One axial slice (409 of 634, counting up from the lowest) of an arterial-phase abdominal CT acquired with 120 kVp, kernel B20f; each pixel is 0.838 mm and the slice is 1.00 mm thick.
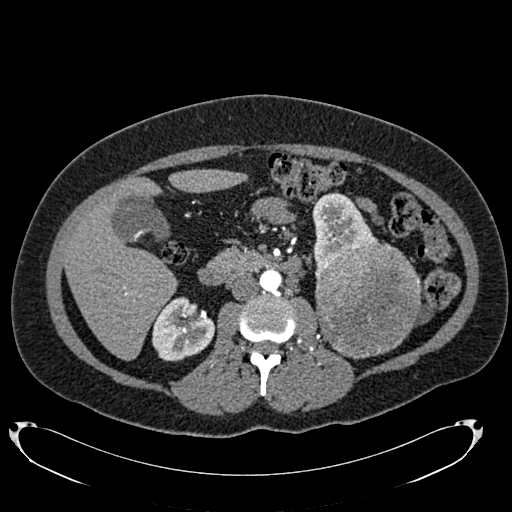
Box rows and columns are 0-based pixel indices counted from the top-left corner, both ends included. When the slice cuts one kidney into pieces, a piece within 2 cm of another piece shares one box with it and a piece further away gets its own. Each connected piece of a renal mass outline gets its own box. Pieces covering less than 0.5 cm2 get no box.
Three boxes on this slice (two kidney boxes and one renal mass box), listed by box centre from the image's left to its right. (1) Right kidney at rows 297–361, columns 152–215 (outlined area 2,997 px, about 21.0 cm2). (2) Left kidney at rows 191–269, columns 312–376 (outlined area 2,793 px, about 19.6 cm2). (3) Left renal mass, box rows 239–359, columns 315–420 (outlined area 10,043 px, about 70.5 cm2).